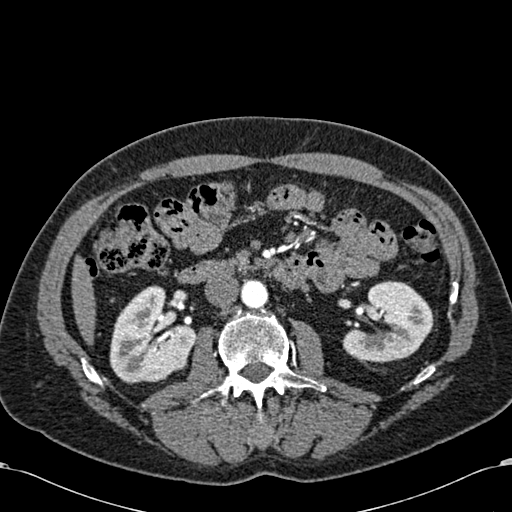
Arterial-phase contrast-enhanced abdominal CT, axial slice 335 of 581 (counted from the lowest slice); tube voltage 120 kVp, convolution kernel B30f; slices 1.00 mm thick, 0.713 mm per pixel.
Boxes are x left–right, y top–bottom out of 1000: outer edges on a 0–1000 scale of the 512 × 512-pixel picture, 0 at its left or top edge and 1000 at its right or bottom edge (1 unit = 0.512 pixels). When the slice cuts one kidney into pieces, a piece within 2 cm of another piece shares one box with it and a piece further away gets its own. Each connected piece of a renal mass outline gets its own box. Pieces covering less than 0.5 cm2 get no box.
Boxed on this slice (two kidney boxes and one renal mass box), listed by box centre from the image's left to its right: (1) Right kidney, box x 213–383, y 557–750 out of 1000 (outlined area 5,763 px, about 29.3 cm2). (2) Right renal mass, box x 326–367, y 691–730 out of 1000 (outlined area 297 px, about 1.5 cm2). (3) Left kidney, box x 668–848, y 547–711 out of 1000 (outlined area 5,149 px, about 26.2 cm2).